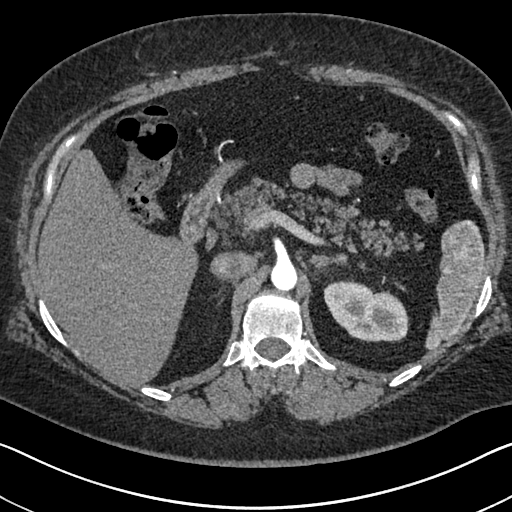
One axial slice (479 of 591, counting up from the lowest) of an arterial-phase abdominal CT acquired with 140 kVp, kernel I30f; each pixel is 0.703 mm and the slice is 1.00 mm thick.
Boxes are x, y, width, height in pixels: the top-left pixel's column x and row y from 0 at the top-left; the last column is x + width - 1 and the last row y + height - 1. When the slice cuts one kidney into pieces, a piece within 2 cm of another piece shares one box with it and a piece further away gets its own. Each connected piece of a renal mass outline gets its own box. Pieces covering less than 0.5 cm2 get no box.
Box x 323, y 280, width 86, height 63: left kidney (outlined area 3,843 px, about 19.0 cm2). No renal mass outline on this slice.